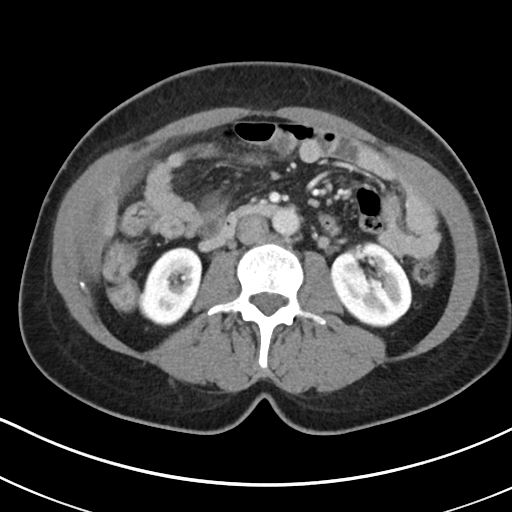
Contrast-enhanced abdominal CT, axial slice 103 of 178 (counted from the lowest slice); tube voltage 100 kVp, convolution kernel I30f; slices 5.00 mm thick, 0.650 mm per pixel.
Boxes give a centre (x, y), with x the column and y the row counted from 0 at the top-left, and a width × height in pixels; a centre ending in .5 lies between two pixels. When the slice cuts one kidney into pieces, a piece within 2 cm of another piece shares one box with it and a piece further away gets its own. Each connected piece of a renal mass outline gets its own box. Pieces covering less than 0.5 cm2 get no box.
Two kidney boxes on this slice; by box centre, from the image's left to its right: (1) Box centre (170.5, 286.5), 64 × 80 pixels: right kidney (outlined area 3,676 px, about 15.5 cm2). (2) Left kidney in a box with centre (371, 283.5), 83 × 88 pixels (outlined area 5,207 px, about 22.0 cm2). This slice carries no renal mass outline.